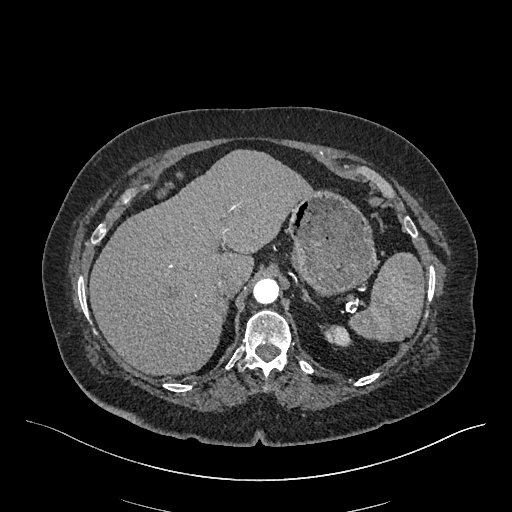
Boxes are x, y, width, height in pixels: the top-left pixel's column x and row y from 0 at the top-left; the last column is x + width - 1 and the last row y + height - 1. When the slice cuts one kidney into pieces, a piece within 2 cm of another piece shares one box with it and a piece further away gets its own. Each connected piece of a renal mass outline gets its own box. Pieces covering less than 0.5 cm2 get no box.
Slice 371/548 of a contrast-enhanced abdominal CT in the arterial phase, counting up from the lowest; pixel size 0.852 mm, slice thickness 1.00 mm. Left kidney, box x 327, y 326, width 23, height 21 (outlined area 386 px, about 2.8 cm2). No renal mass is outlined on this slice.
Tube voltage 120 kVp; convolution kernel I26f.